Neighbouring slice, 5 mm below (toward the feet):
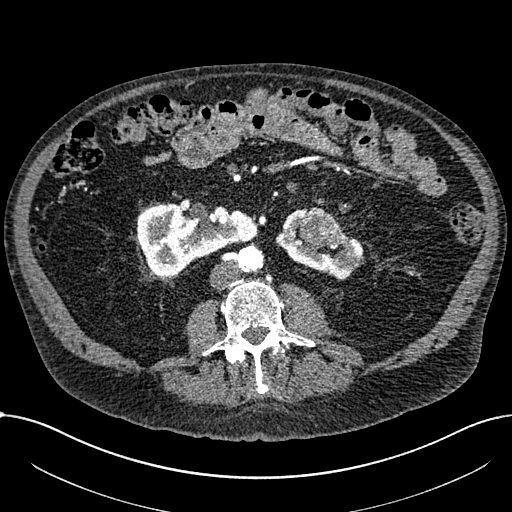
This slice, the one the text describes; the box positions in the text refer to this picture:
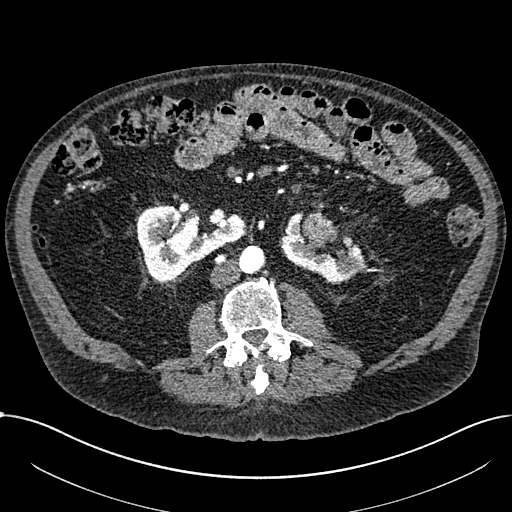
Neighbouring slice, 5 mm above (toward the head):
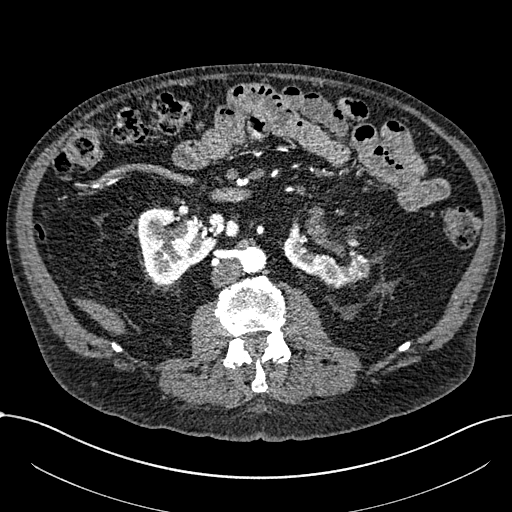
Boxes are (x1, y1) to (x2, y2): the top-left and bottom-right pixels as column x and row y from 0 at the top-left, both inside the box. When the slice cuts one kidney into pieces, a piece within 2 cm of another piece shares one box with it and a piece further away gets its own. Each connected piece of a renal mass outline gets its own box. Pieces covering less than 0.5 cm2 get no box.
This is axial slice 334 of 1059 (slice 1 is the lowest) of an arterial-phase abdominal CT with contrast; each pixel is 0.811 mm and the slice is 1.00 mm thick. Two kidney boxes and one renal mass box on this slice; by box centre, from the image's left to its right: (1) Right part of the midline-crossing kidney from (136, 203) to (246, 280) (outlined area 5,485 px, about 36.0 cm2). (2) Renal mass from (301, 211) to (338, 249) (outlined area 1,028 px, about 6.8 cm2). (3) Left part of the midline-crossing kidney from (279, 211) to (366, 284) (outlined area 2,811 px, about 18.5 cm2). This slice lies near the end of a renal mass toward the head; the slices 5 mm below and 5 mm above it are shown too, and the boxes mark positions on this slice only.
Tube voltage 100 kVp; convolution kernel I30f.